Axial slice 23 of 48 of a contrast-enhanced abdominal CT (slice 1 is the lowest), 120 kVp, kernel B30f; 5.00 mm slice thickness and 0.736 mm pixels.
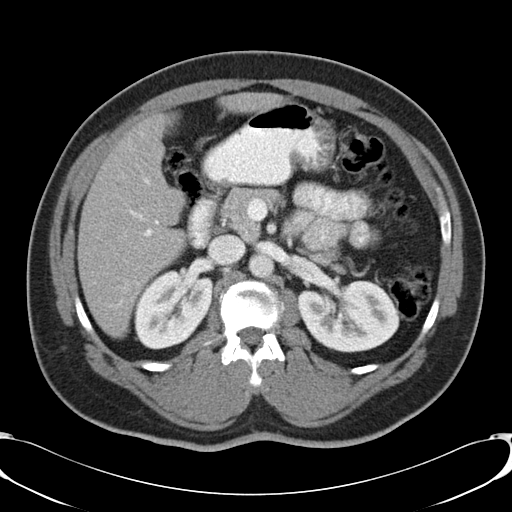
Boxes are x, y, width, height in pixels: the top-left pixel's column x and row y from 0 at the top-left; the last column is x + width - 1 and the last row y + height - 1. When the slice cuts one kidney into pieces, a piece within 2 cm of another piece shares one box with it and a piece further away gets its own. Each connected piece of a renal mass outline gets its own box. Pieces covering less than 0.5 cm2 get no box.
Boxed on this slice (two kidney boxes), listed by box centre from the image's left to its right: (1) Right kidney at x 133, y 270, width 81, height 80 (outlined area 4,842 px, about 26.3 cm2). (2) Box x 297, y 279, width 103, height 74: left kidney (outlined area 5,748 px, about 31.2 cm2). No renal mass outline on this slice.